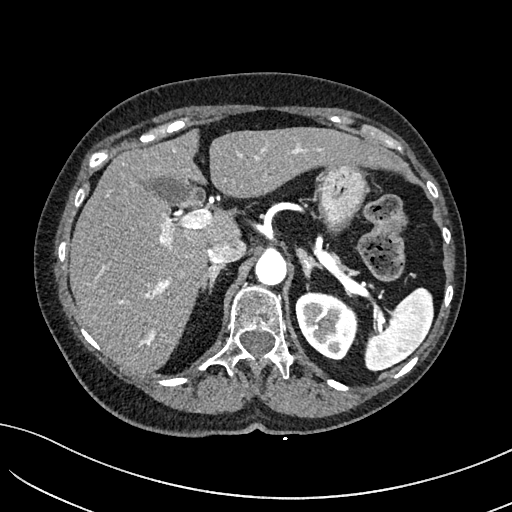
Abdominal CT with intravenous contrast, arterial phase, axial plane, 100 kVp, kernel I40f. Slice 116/234 from the bottom of the scan; thickness 2.00 mm; pixel size 0.699 mm.
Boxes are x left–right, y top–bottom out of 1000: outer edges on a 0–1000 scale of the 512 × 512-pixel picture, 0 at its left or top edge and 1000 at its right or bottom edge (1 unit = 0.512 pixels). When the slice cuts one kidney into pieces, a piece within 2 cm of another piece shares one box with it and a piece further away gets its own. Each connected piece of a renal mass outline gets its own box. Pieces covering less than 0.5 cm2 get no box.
Left kidney at x 576–701, y 566–705 out of 1000 (outlined area 3,185 px, about 15.6 cm2). No renal mass outline on this slice.